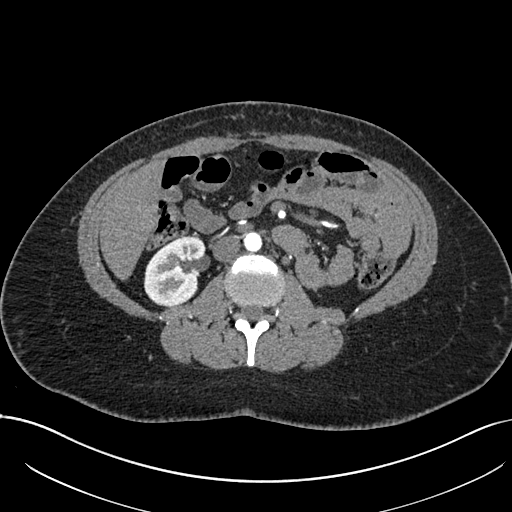
Axial slice 373 of 738 of a contrast-enhanced abdominal CT in the arterial phase (slice 1 is the lowest), 120 kVp, kernel I30f; 1.00 mm slice thickness and 0.789 mm pixels.
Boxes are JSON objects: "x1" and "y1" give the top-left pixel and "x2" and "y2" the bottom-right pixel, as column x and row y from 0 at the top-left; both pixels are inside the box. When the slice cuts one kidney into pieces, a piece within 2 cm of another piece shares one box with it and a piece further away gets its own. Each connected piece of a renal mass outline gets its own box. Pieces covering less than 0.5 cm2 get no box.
Right kidney at {"x1": 144, "y1": 236, "x2": 205, "y2": 306} (outlined area 3,297 px, about 20.5 cm2). No renal mass is outlined on this slice.